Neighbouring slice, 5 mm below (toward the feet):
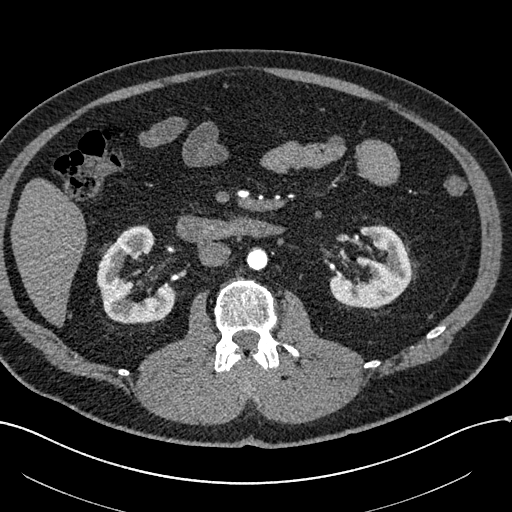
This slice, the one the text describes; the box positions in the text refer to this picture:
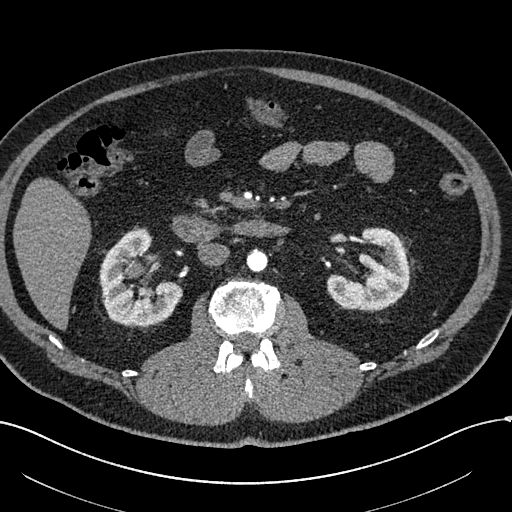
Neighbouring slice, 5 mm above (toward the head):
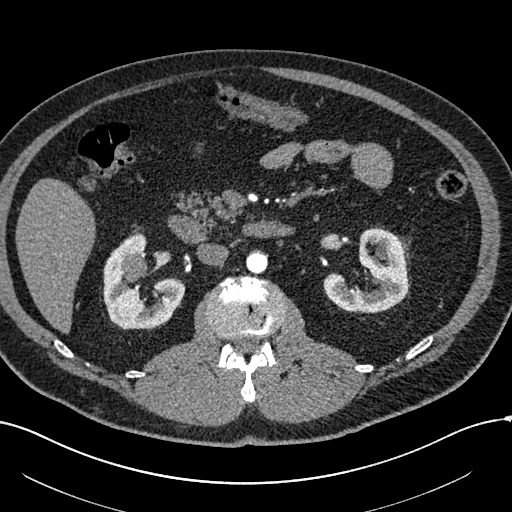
Abdominal CT with intravenous contrast, arterial phase, axial plane, 120 kVp, kernel I30f. Slice 326/602 from the bottom of the scan; thickness 1.00 mm; pixel size 0.799 mm.
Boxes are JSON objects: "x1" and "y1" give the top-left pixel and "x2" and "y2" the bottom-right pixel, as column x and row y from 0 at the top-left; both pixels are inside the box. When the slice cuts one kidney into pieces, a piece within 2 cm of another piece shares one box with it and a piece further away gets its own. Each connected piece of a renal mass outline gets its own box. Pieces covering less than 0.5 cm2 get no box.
Two kidney boxes and one renal mass box on this slice; by box centre, from the image's left to its right: (1) Box {"x1": 130, "y1": 262, "x2": 144, "y2": 276}: right renal mass (outlined area 172 px, about 1.1 cm2). (2) Right kidney at {"x1": 99, "y1": 228, "x2": 182, "y2": 326} (outlined area 5,171 px, about 33.0 cm2). (3) Box {"x1": 326, "y1": 227, "x2": 409, "y2": 311}: left kidney (outlined area 4,440 px, about 28.3 cm2). This slice is near the end of the right renal mass toward the feet, so the slices 5 mm below and 5 mm above it are shown as well; the boxes refer to this slice only.